One axial slice (484 of 626, counting up from the lowest) of an arterial-phase abdominal CT acquired with 120 kVp, kernel I30f; each pixel is 0.703 mm and the slice is 1.00 mm thick.
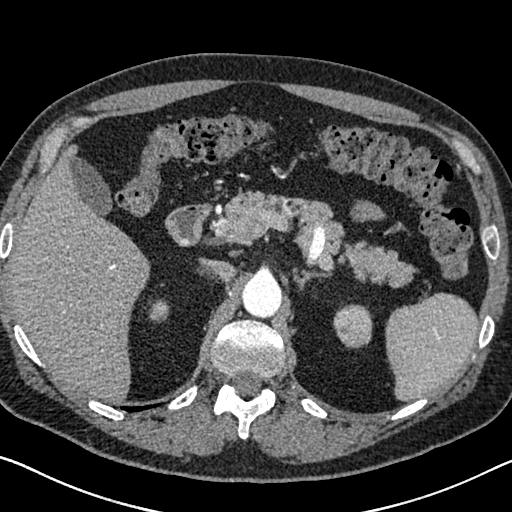
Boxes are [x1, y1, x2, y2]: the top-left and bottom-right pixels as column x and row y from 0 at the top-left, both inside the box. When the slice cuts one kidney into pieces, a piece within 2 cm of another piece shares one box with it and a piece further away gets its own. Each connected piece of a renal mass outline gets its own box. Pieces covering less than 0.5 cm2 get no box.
Two boxes on this slice (two kidney boxes), listed by box centre from the image's left to its right. (1) Box [149, 299, 169, 322]: right kidney (outlined area 376 px, about 1.9 cm2). (2) Left kidney, box [333, 304, 372, 348] (outlined area 1,398 px, about 6.9 cm2). No renal mass is outlined on this slice.